Abdominal CT with intravenous contrast, arterial phase, axial plane, 120 kVp, kernel B30f. Slice 267/723 from the bottom of the scan; thickness 1.00 mm; pixel size 0.895 mm.
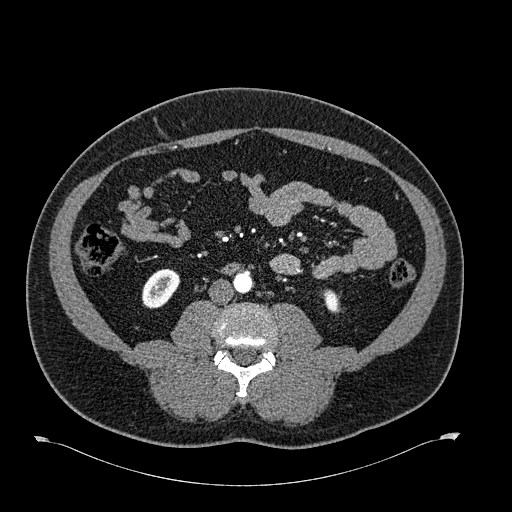
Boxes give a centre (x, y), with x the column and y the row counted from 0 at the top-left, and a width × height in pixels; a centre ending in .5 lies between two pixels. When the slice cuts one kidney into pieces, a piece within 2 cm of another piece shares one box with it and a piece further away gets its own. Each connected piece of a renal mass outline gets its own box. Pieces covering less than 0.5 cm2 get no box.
Boxed on this slice (two kidney boxes), listed by box centre from the image's left to its right: (1) Box centre (160.5, 288), 40 × 41 pixels: right kidney (outlined area 1,123 px, about 9.0 cm2). (2) Left kidney in a box with centre (331, 301), 21 × 25 pixels (outlined area 331 px, about 2.6 cm2). No renal mass outline on this slice.